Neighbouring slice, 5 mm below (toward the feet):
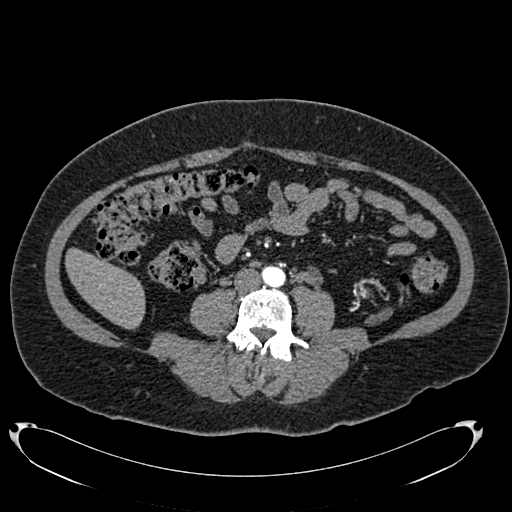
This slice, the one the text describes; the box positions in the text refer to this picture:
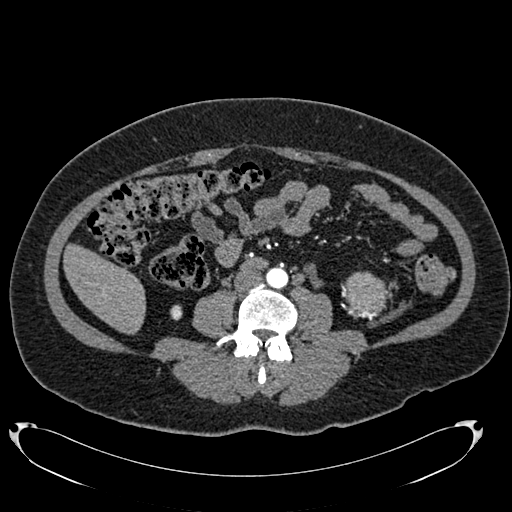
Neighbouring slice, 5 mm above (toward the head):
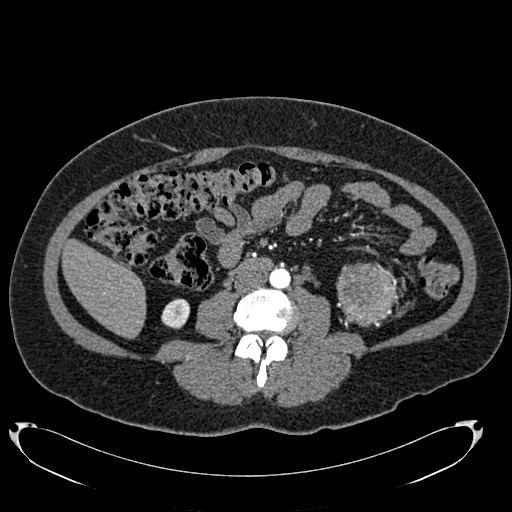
Arterial-phase contrast-enhanced abdominal CT, axial slice 314 of 634 (counted from the lowest slice); tube voltage 120 kVp, convolution kernel B20f; slices 1.00 mm thick, 0.838 mm per pixel.
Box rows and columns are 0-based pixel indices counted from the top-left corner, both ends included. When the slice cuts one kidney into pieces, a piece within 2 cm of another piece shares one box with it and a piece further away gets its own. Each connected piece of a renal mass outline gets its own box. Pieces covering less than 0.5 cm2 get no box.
Two boxes on this slice (one kidney box and one renal mass box), listed by box centre from the image's left to its right. (1) Right kidney, box rows 305–320, columns 170–182 (outlined area 160 px, about 1.1 cm2). (2) Left renal mass, box rows 271–314, columns 343–388 (outlined area 1,508 px, about 10.6 cm2); on this slice it lies more than 1 cm from any kidney outline, but the same outlined renal mass comes within 1 cm of the kidney on another slice. This slice lies near the end of the left renal mass toward the feet; the slices 5 mm below and 5 mm above it are shown too, and the boxes mark positions on this slice only.